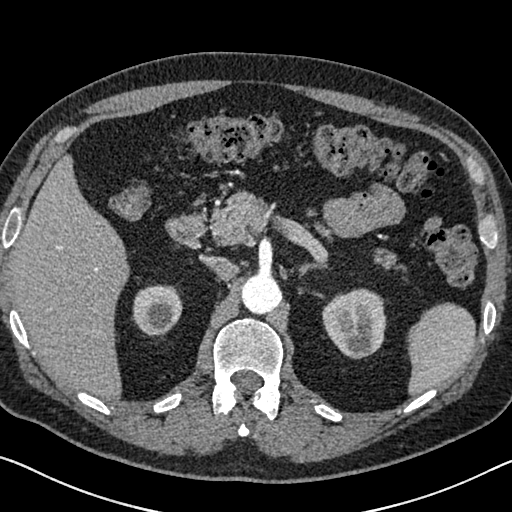
One axial slice (467 of 626, counting up from the lowest) of an arterial-phase abdominal CT acquired with 120 kVp, kernel I30f; each pixel is 0.703 mm and the slice is 1.00 mm thick.
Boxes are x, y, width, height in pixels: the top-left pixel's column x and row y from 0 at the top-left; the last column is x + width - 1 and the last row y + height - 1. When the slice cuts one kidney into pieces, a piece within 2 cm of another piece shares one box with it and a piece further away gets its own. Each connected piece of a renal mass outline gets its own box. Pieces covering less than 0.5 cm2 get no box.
Two kidney boxes on this slice; by box centre, from the image's left to its right: (1) Right kidney, box x 131, y 284, width 52, height 53 (outlined area 2,075 px, about 10.3 cm2). (2) Box x 322, y 288, width 65, height 72: left kidney (outlined area 3,506 px, about 17.3 cm2). This slice carries no renal mass outline.